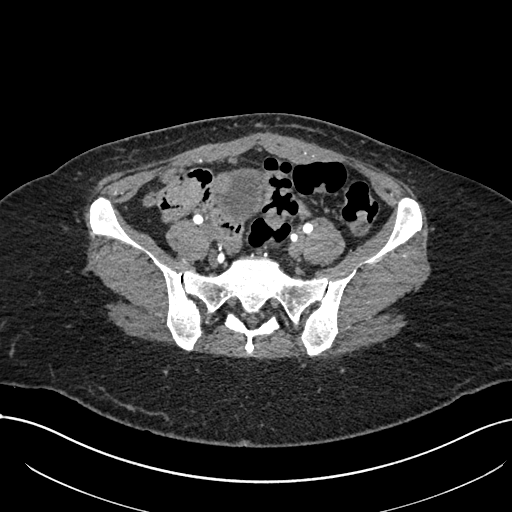
Axial slice 146 of 738 of a contrast-enhanced abdominal CT in the arterial phase (slice 1 is the lowest), 120 kVp, kernel I30f; 1.00 mm slice thickness and 0.789 mm pixels.
No kidney and no renal mass is outlined on this slice; the outlines in this scan cover only the kidneys and the renal masses, so nothing is said about any other organ.